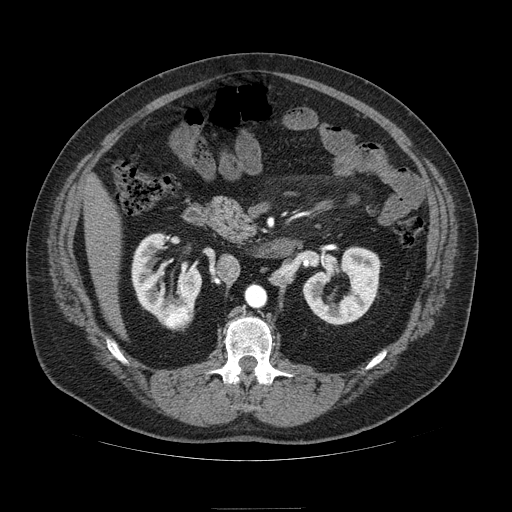
Axial slice 52 of 121 of a contrast-enhanced abdominal CT in the arterial phase (slice 1 is the lowest), 120 kVp, kernel STANDARD; 2.50 mm slice thickness and 0.861 mm pixels.
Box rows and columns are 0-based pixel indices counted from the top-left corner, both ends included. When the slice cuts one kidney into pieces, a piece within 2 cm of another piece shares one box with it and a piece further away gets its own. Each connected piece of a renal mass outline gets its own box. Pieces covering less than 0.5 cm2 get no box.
Two kidney boxes and one renal mass box on this slice; by box centre, from the image's left to its right: (1) Right kidney at rows 233–320, columns 131–201 (outlined area 3,152 px, about 23.4 cm2). (2) Right renal mass at rows 298–329, columns 159–192 (outlined area 850 px, about 6.3 cm2). (3) Box rows 247–324, columns 303–380: left kidney (outlined area 3,799 px, about 28.2 cm2).